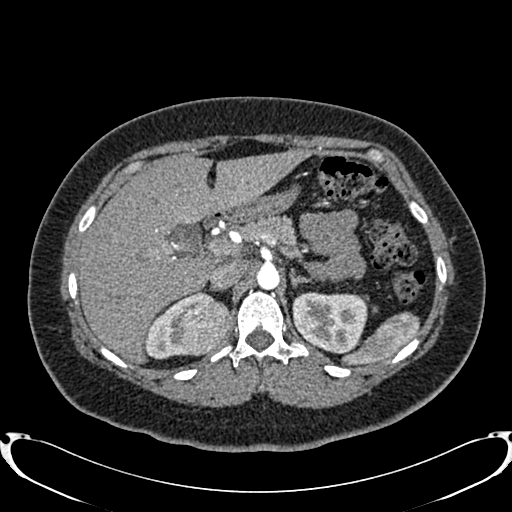
Arterial-phase contrast-enhanced abdominal CT, axial slice 562 of 719 (counted from the lowest slice); tube voltage 120 kVp, convolution kernel B20f; slices 1.00 mm thick, 0.766 mm per pixel.
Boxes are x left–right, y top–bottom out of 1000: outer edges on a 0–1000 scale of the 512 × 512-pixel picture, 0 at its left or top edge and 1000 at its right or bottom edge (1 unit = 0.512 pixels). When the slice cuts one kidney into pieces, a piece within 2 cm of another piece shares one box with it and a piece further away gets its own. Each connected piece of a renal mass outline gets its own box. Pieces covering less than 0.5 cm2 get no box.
Boxed on this slice (two kidney boxes and one renal mass box), listed by box centre from the image's left to its right: (1) Right kidney, box x 283–391, y 570–703 out of 1000 (outlined area 1,113 px, about 6.5 cm2). (2) Box x 326–449, y 570–697 out of 1000: right renal mass (outlined area 3,064 px, about 18.0 cm2). (3) Box x 570–719, y 570–691 out of 1000: left kidney (outlined area 3,781 px, about 22.2 cm2).